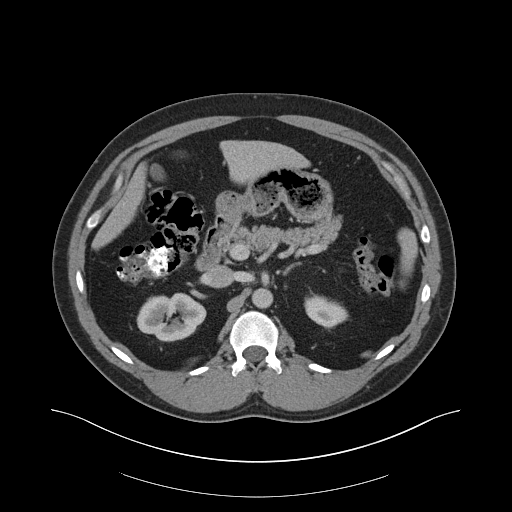
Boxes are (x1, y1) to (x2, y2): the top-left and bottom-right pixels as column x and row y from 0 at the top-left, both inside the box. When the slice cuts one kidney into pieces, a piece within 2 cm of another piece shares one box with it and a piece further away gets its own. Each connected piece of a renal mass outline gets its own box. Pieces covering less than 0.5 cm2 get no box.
Slice 120/159 of a contrast-enhanced abdominal CT in the arterial phase, counting up from the lowest; pixel size 0.977 mm, slice thickness 3.00 mm. Two boxes on this slice (two kidney boxes), listed by box centre from the image's left to its right. (1) Right kidney, box (136, 292) to (206, 341) (outlined area 2,522 px, about 24.1 cm2). (2) Left kidney, box (304, 294) to (348, 328) (outlined area 1,049 px, about 10.0 cm2). No renal mass outline on this slice.
Tube voltage 140 kVp; convolution kernel B30f.